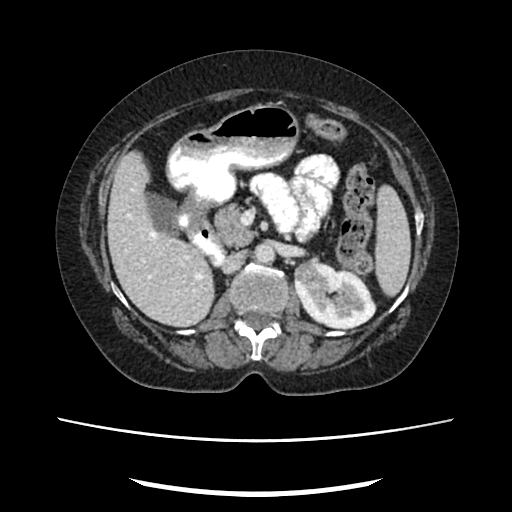
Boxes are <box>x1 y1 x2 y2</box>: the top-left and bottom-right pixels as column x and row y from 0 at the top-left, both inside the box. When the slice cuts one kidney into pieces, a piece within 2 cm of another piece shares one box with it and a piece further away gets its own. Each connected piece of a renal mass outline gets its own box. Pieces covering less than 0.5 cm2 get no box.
Slice 144/207 of a contrast-enhanced abdominal CT in the arterial phase, counting up from the lowest; pixel size 0.741 mm, slice thickness 2.00 mm. Two boxes on this slice (one kidney box and one renal mass box), listed by box centre from the image's left to its right. (1) At <box>294 261 318 285</box>: left renal mass (outlined area 476 px, about 2.6 cm2). (2) Left kidney: <box>293 263 376 330</box> (outlined area 3,674 px, about 20.2 cm2).
Tube voltage 120 kVp; convolution kernel FC18.